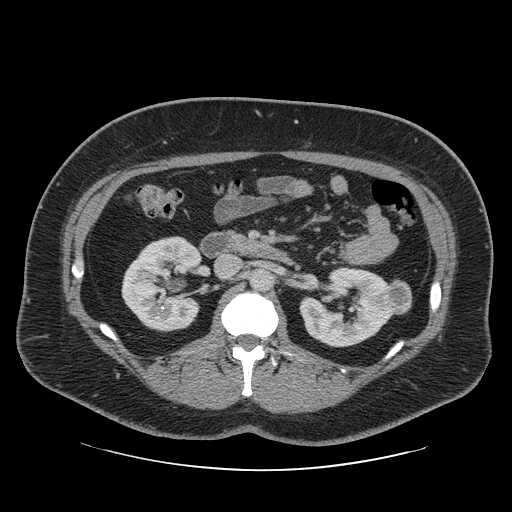
One axial slice (35 of 69, counting up from the lowest) of an arterial-phase abdominal CT acquired with 120 kVp, kernel STANDARD; each pixel is 0.846 mm and the slice is 2.50 mm thick.
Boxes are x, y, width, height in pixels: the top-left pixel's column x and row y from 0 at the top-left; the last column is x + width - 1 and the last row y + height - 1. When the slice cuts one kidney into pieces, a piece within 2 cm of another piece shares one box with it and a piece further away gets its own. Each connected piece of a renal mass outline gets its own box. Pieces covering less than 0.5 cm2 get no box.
Boxed on this slice (two kidney boxes and one renal mass box), listed by box centre from the image's left to its right: (1) Box x 121, y 236, width 82, height 97: right kidney (outlined area 5,864 px, about 41.9 cm2). (2) Left kidney, box x 299, y 266, width 95, height 82 (outlined area 5,175 px, about 37.0 cm2). (3) Box x 383, y 279, width 30, height 36: left renal mass (outlined area 824 px, about 5.9 cm2).